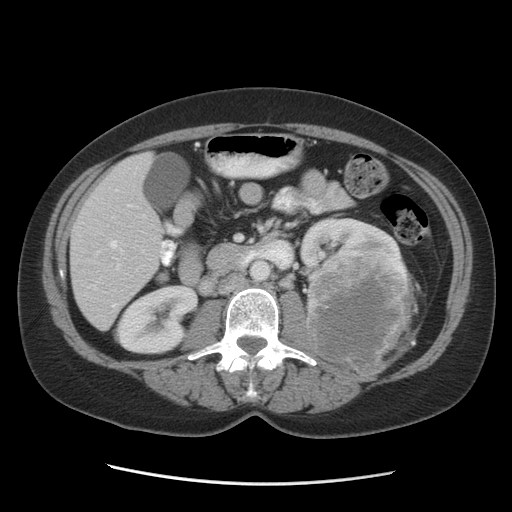
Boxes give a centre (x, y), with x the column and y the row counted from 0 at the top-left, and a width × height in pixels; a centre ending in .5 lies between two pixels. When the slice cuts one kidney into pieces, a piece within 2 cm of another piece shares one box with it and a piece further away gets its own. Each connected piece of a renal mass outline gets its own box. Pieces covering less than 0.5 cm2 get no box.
Slice 49/84 of a contrast-enhanced abdominal CT, counting up from the lowest; pixel size 0.717 mm, slice thickness 5.00 mm. Two kidney boxes and one renal mass box on this slice; by box centre, from the image's left to its right: (1) Box centre (157.5, 319.5), 84 × 70 pixels: right kidney (outlined area 4,291 px, about 22.0 cm2). (2) Left kidney, box centre (351, 248), 105 × 65 pixels (outlined area 3,070 px, about 15.8 cm2). (3) Left renal mass, box centre (360.5, 310), 110 × 131 pixels (outlined area 11,266 px, about 57.9 cm2).
Scan settings: 140 kVp, STANDARD reconstruction kernel.